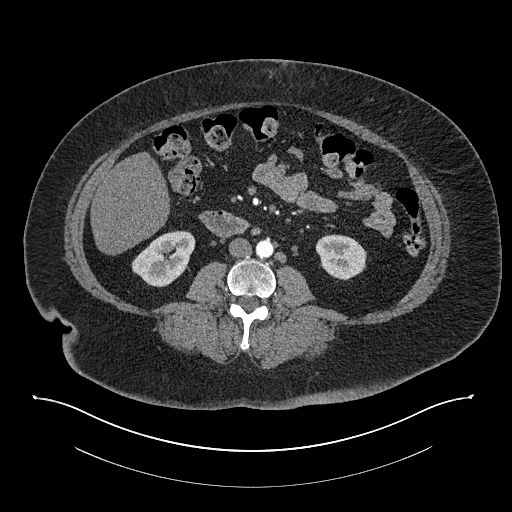
Arterial-phase contrast-enhanced abdominal CT, axial slice 379 of 673 (counted from the lowest slice); tube voltage 140 kVp, convolution kernel I30f; slices 1.00 mm thick, 0.957 mm per pixel.
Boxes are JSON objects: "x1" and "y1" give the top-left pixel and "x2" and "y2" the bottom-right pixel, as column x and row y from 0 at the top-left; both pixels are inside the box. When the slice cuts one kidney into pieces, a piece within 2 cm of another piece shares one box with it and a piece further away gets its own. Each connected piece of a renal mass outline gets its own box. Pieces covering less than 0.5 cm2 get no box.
Boxed on this slice (two kidney boxes), listed by box centre from the image's left to its right: (1) Box {"x1": 131, "y1": 230, "x2": 195, "y2": 287}: right kidney (outlined area 2,454 px, about 22.5 cm2). (2) Left kidney at {"x1": 315, "y1": 234, "x2": 366, "y2": 280} (outlined area 1,792 px, about 16.4 cm2). No renal mass is outlined on this slice.